Axial slice 52 of 301 of a contrast-enhanced abdominal CT (slice 1 is the lowest), 120 kVp, kernel I40f; 2.00 mm slice thickness and 0.859 mm pixels.
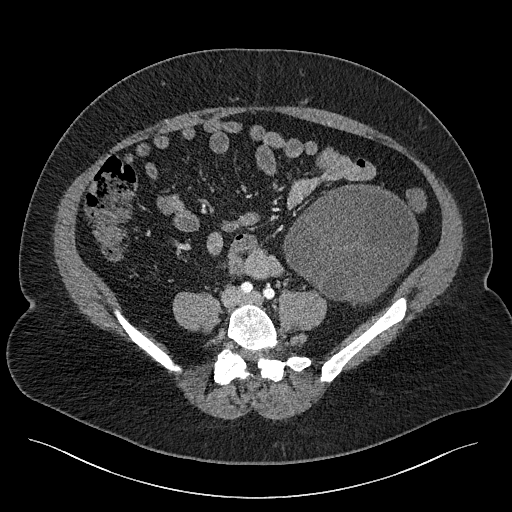
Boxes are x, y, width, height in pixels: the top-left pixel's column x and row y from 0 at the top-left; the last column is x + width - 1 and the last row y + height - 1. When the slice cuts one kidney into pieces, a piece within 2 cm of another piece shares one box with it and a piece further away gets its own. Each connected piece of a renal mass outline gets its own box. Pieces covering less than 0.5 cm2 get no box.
Box x 283, y 184, width 135, height 123: left renal mass (outlined area 11,798 px, about 87.1 cm2); no kidney outline appears on this slice, but the same outlined renal mass comes within 1 cm of the kidney on another slice.